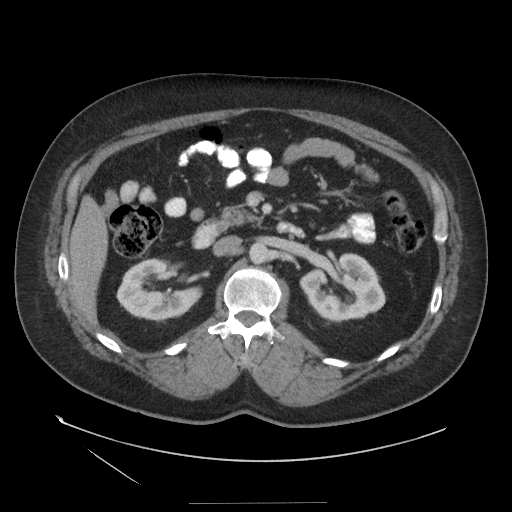
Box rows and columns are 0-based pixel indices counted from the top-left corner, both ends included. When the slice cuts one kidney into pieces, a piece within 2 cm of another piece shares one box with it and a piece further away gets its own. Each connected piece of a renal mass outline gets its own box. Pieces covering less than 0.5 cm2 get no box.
Slice 82/129 of a contrast-enhanced abdominal CT in the arterial phase, counting up from the lowest; pixel size 0.938 mm, slice thickness 3.75 mm. Two kidney boxes on this slice; by box centre, from the image's left to its right: (1) Box rows 258–320, columns 116–202: right kidney (outlined area 3,725 px, about 32.7 cm2). (2) Left kidney at rows 252–321, columns 299–385 (outlined area 4,158 px, about 36.5 cm2). No renal mass is outlined on this slice.
Acquired at 140 kVp and reconstructed with the STANDARD kernel.